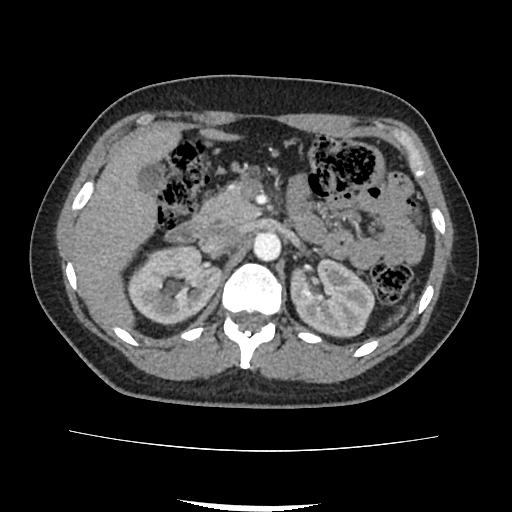
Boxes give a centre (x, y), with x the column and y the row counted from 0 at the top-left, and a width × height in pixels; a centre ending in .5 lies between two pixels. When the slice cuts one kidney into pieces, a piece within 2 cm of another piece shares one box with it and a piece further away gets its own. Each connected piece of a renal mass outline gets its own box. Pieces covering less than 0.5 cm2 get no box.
Slice 60/103 of a contrast-enhanced abdominal CT, counting up from the lowest; pixel size 0.714 mm, slice thickness 3.00 mm. Two boxes on this slice (two kidney boxes), listed by box centre from the image's left to its right. (1) Right kidney in a box with centre (173.5, 285), 98 × 81 pixels (outlined area 5,561 px, about 28.3 cm2). (2) Left kidney, box centre (332, 297), 85 × 83 pixels (outlined area 5,114 px, about 26.1 cm2). No renal mass outline on this slice.
Scan settings: 120 kVp, FC18 reconstruction kernel.